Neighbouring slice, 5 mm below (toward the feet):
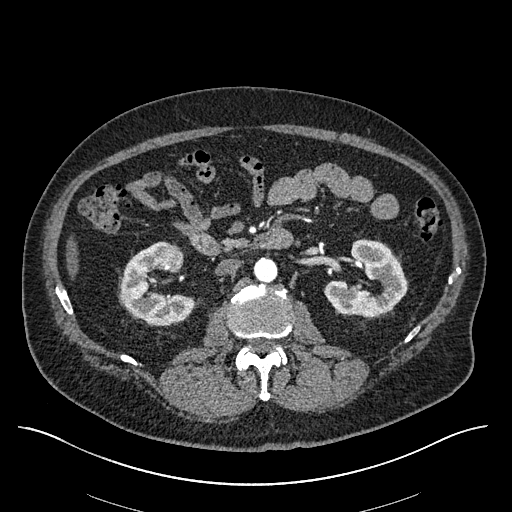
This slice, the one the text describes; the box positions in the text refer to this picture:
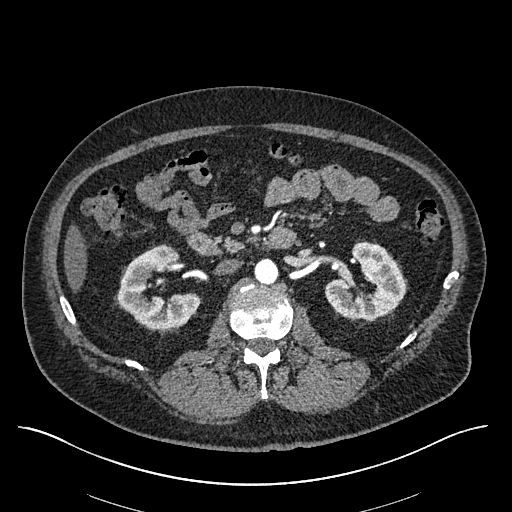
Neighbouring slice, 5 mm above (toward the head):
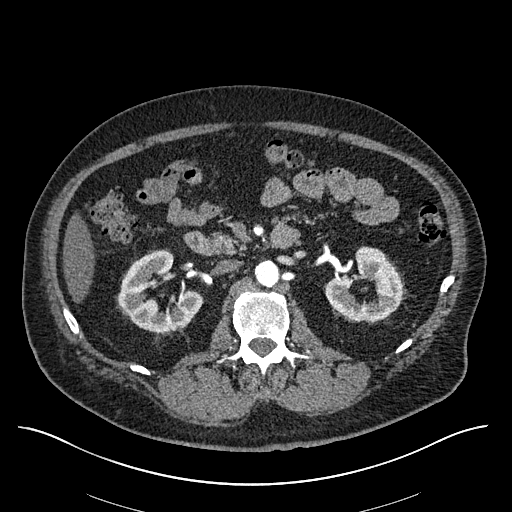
Axial slice 331 of 670 of a contrast-enhanced abdominal CT in the arterial phase (slice 1 is the lowest), 120 kVp, kernel I30f; 1.00 mm slice thickness and 0.861 mm pixels.
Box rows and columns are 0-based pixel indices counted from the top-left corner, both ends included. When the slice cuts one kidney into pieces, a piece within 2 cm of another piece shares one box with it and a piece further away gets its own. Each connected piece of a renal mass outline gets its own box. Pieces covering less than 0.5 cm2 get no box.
Two kidney boxes and one renal mass box on this slice; by box centre, from the image's left to its right: (1) Right kidney at rows 244–329, columns 117–199 (outlined area 3,992 px, about 29.6 cm2). (2) Box rows 247–262, columns 163–180: right renal mass (outlined area 221 px, about 1.6 cm2). (3) Box rows 241–319, columns 325–406: left kidney (outlined area 4,192 px, about 31.1 cm2). This slice lies near the end of the right renal mass toward the head; the slices 5 mm below and 5 mm above it are shown too, and the boxes mark positions on this slice only.